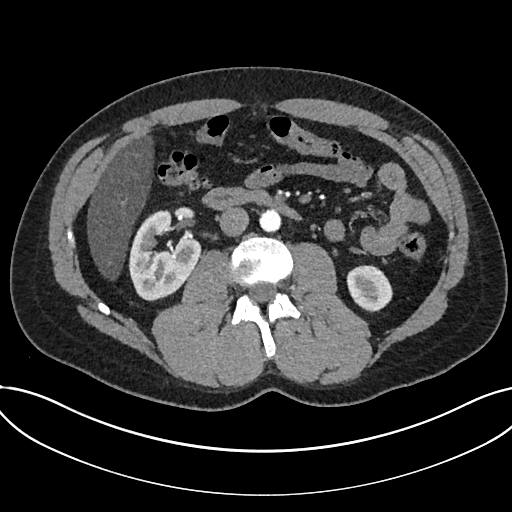
Arterial-phase contrast-enhanced abdominal CT, axial slice 377 of 735 (counted from the lowest slice); tube voltage 120 kVp, convolution kernel I30f; slices 1.00 mm thick, 0.789 mm per pixel.
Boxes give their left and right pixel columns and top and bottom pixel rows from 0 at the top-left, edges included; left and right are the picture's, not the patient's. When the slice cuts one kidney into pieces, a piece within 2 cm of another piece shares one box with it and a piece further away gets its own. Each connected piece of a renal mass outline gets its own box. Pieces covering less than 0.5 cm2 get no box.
Two boxes on this slice (two kidney boxes), listed by box centre from the image's left to its right. (1) Kidney, the box with left 128, top 210, right 200, bottom 301 (outlined area 4,418 px, about 27.5 cm2). (2) Kidney, the box with left 346, top 265, right 392, bottom 312 (outlined area 1,660 px, about 10.3 cm2). This slice carries no renal mass outline.